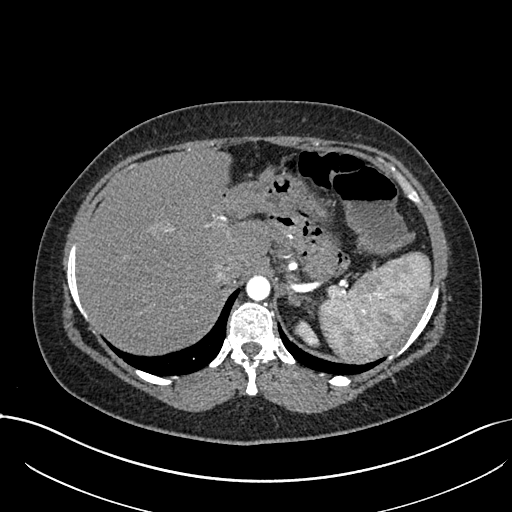
Abdominal CT with intravenous contrast, arterial phase, axial plane, 120 kVp, kernel I30f. Slice 577/738 from the bottom of the scan; thickness 1.00 mm; pixel size 0.789 mm.
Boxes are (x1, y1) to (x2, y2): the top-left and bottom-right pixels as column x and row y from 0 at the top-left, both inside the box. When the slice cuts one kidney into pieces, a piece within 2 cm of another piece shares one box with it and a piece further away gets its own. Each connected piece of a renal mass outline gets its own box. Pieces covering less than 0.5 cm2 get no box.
Left kidney, box (294, 320) to (319, 347) (outlined area 411 px, about 2.6 cm2).